Arterial-phase contrast-enhanced abdominal CT, axial slice 63 of 227 (counted from the lowest slice); tube voltage 120 kVp, convolution kernel I31f; slices 3.00 mm thick, 0.816 mm per pixel.
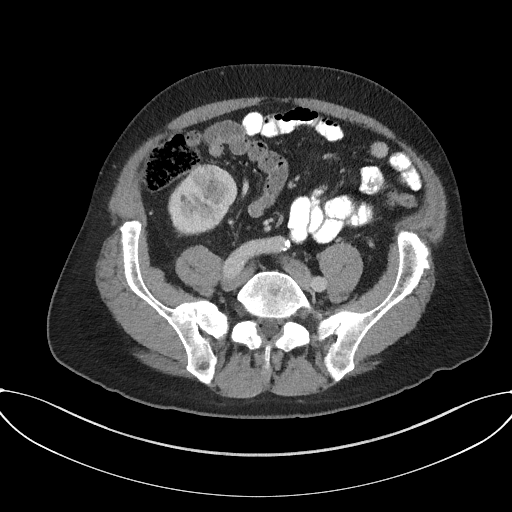
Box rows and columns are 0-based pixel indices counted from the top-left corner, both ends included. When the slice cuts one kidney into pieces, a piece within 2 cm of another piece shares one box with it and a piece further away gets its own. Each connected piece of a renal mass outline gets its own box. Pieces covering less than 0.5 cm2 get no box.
Right kidney, box rows 164–235, columns 168–236 (outlined area 3,575 px, about 23.8 cm2). This slice carries no renal mass outline.